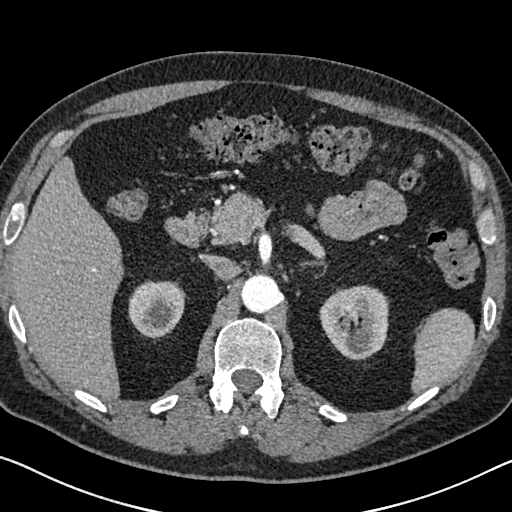
Abdominal CT with intravenous contrast, arterial phase, axial plane, 120 kVp, kernel I30f. Slice 462/626 from the bottom of the scan; thickness 1.00 mm; pixel size 0.703 mm.
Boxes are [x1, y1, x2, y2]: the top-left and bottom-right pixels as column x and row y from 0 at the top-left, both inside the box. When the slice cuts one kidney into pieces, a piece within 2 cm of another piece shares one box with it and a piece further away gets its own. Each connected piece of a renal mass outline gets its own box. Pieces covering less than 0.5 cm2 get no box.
Two kidney boxes on this slice; by box centre, from the image's left to its right: (1) Right kidney, box [128, 280, 184, 338] (outlined area 2,615 px, about 12.9 cm2). (2) Left kidney, box [319, 285, 388, 360] (outlined area 4,081 px, about 20.2 cm2). No renal mass outline on this slice.